Abdominal CT with intravenous contrast, arterial phase, axial plane, 120 kVp, kernel B20f. Slice 407/553 from the bottom of the scan; thickness 1.00 mm; pixel size 0.773 mm.
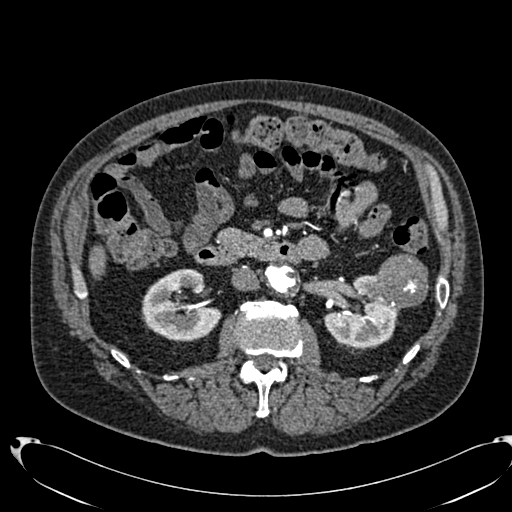
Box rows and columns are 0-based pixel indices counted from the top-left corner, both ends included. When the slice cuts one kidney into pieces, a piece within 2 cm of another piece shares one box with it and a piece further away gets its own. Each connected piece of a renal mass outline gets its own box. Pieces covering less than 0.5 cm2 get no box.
Two kidney boxes and one renal mass box on this slice; by box centre, from the image's left to its right: (1) Box rows 269–341, columns 142–220: right kidney (outlined area 4,020 px, about 24.0 cm2). (2) Left kidney, box rows 275–348, columns 324–400 (outlined area 3,448 px, about 20.6 cm2). (3) Left renal mass at rows 253–308, columns 370–428 (outlined area 2,447 px, about 14.6 cm2).